One axial slice (54 of 97, counting up from the lowest) of an arterial-phase abdominal CT acquired with 120 kVp, kernel B30f; each pixel is 0.824 mm and the slice is 5.00 mm thick.
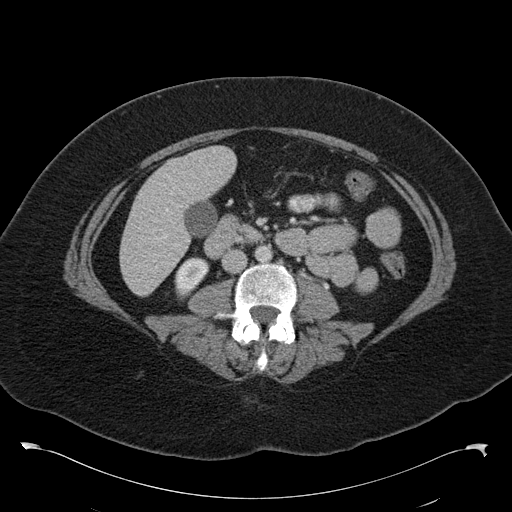
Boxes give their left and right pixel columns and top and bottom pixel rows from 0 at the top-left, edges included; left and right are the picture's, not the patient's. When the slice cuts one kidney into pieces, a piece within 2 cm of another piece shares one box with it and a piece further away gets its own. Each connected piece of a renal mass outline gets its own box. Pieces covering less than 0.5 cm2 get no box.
Box with left 174, top 257, right 209, bottom 300: right kidney (outlined area 995 px, about 6.8 cm2). This slice carries no renal mass outline.